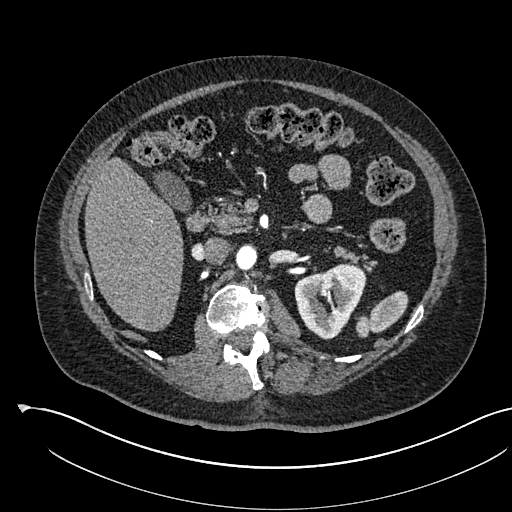
Axial slice 353 of 541 of a contrast-enhanced abdominal CT in the arterial phase (slice 1 is the lowest), 120 kVp, kernel I30f; 1.00 mm slice thickness and 0.834 mm pixels.
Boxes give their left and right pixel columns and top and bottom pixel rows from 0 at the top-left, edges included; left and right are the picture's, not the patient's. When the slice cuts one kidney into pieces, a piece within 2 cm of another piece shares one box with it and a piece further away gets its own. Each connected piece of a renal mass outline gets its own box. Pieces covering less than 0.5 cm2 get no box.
Left kidney in the box with left 294, top 262, right 366, bottom 339 (outlined area 3,769 px, about 26.2 cm2). No renal mass is outlined on this slice.